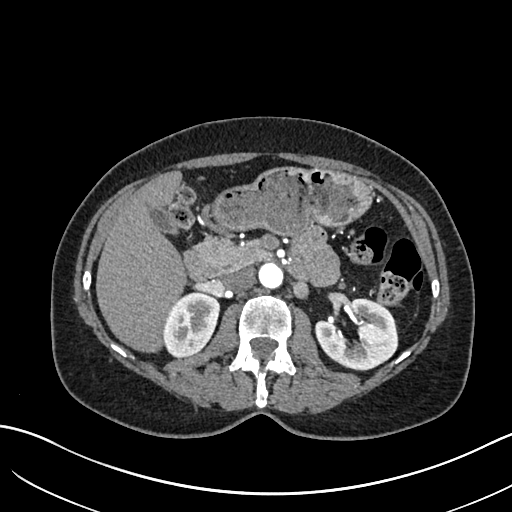
Abdominal CT with intravenous contrast, arterial phase, axial plane, 120 kVp, kernel I30f. Slice 393/683 from the bottom of the scan; thickness 1.00 mm; pixel size 0.738 mm.
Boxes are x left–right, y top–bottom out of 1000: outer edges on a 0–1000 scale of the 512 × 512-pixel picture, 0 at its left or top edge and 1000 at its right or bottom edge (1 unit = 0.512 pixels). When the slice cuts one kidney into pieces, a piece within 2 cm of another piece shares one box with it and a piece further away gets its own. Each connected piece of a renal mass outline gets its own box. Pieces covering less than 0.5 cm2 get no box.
Boxed on this slice (two kidney boxes), listed by box centre from the image's left to its right: (1) Box x 316–432, y 568–699 out of 1000: right kidney (outlined area 2,873 px, about 15.7 cm2). (2) Left kidney at x 615–779, y 580–721 out of 1000 (outlined area 4,016 px, about 21.9 cm2). This slice carries no renal mass outline.